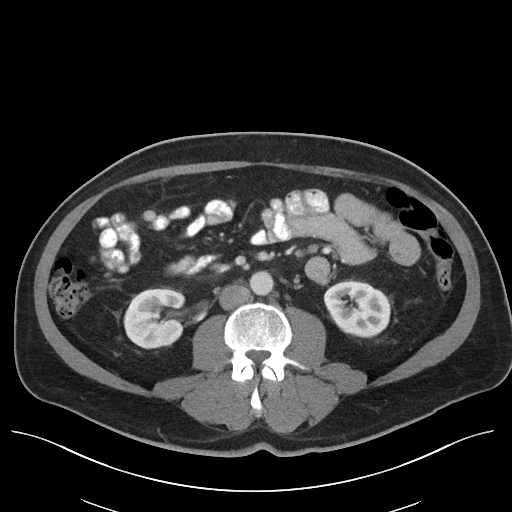
Axial slice 58 of 96 of a contrast-enhanced abdominal CT in the arterial phase (slice 1 is the lowest), 120 kVp, kernel I40f; 5.00 mm slice thickness and 0.840 mm pixels.
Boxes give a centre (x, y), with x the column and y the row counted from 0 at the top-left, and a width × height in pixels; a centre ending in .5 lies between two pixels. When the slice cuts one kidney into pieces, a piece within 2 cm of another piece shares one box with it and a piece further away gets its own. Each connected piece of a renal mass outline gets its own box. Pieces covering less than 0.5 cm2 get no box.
Boxed on this slice (two kidney boxes), listed by box centre from the image's left to its right: (1) Box centre (154, 318), 61 × 61 pixels: right kidney (outlined area 3,002 px, about 21.2 cm2). (2) Left kidney, box centre (357, 308.5), 67 × 58 pixels (outlined area 2,937 px, about 20.7 cm2). No renal mass is outlined on this slice.